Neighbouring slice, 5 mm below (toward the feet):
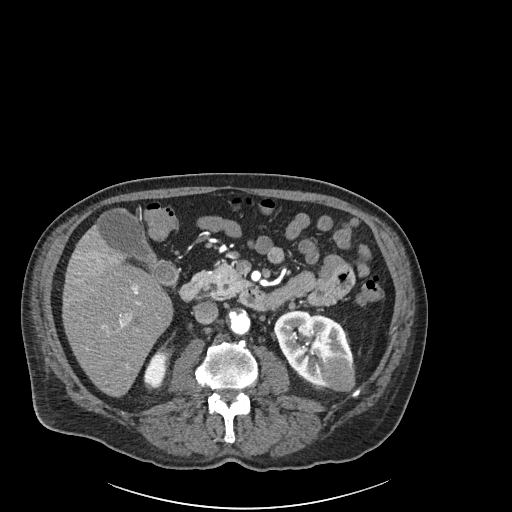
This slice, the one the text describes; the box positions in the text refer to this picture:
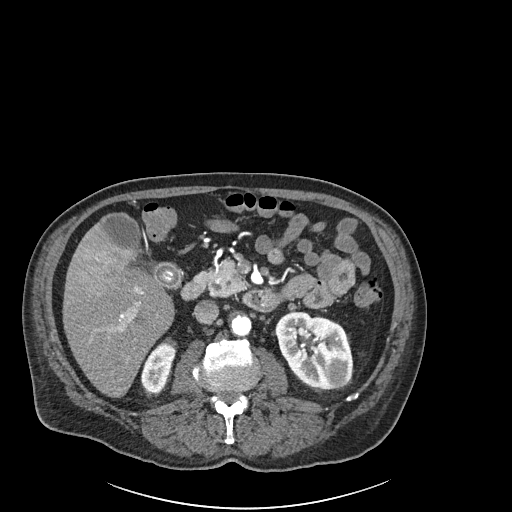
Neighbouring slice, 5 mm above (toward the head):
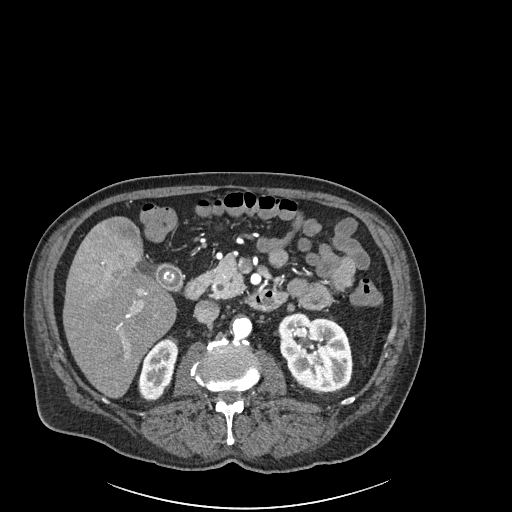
Axial slice 104 of 261 of a contrast-enhanced abdominal CT in the arterial phase (slice 1 is the lowest), 120 kVp, kernel I30f; 2.00 mm slice thickness and 0.939 mm pixels.
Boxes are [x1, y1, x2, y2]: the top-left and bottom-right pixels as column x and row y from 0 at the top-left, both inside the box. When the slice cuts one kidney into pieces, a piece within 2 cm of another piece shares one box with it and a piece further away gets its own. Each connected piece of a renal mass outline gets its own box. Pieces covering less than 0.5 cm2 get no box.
Boxed on this slice (two kidney boxes and one renal mass box), listed by box centre from the image's left to its right: (1) Right kidney at [140, 343, 175, 392] (outlined area 1,165 px, about 10.3 cm2). (2) Left kidney at [275, 311, 352, 389] (outlined area 4,520 px, about 39.9 cm2). (3) Left renal mass at [334, 369, 341, 378] (outlined area 63 px, about 0.6 cm2). This slice is near the end of the left renal mass toward the head, so the slices 5 mm below and 5 mm above it are shown as well; the boxes refer to this slice only.